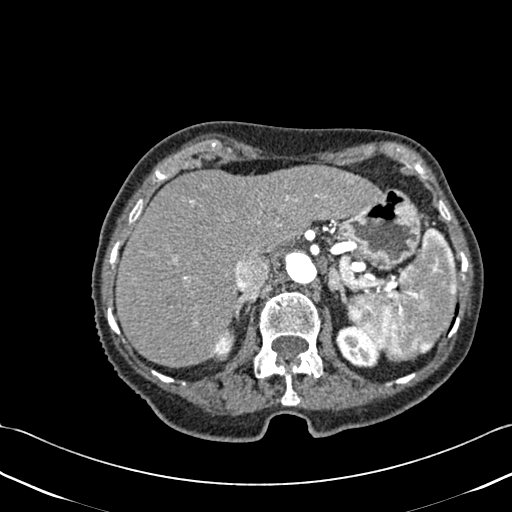
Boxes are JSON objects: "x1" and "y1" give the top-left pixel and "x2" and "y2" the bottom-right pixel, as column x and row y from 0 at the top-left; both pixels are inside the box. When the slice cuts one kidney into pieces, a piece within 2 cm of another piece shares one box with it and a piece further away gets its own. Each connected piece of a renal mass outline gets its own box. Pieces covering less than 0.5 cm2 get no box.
Slice 334/433 of a contrast-enhanced abdominal CT, counting up from the lowest; pixel size 0.672 mm, slice thickness 1.00 mm. Two boxes on this slice (two kidney boxes), listed by box centre from the image's left to its right. (1) Right kidney at {"x1": 214, "y1": 325, "x2": 235, "y2": 359} (outlined area 475 px, about 2.1 cm2). (2) Left kidney at {"x1": 335, "y1": 325, "x2": 382, "y2": 367} (outlined area 1,396 px, about 6.3 cm2). No renal mass is outlined on this slice.
Scan settings: 120 kVp, B30f reconstruction kernel.